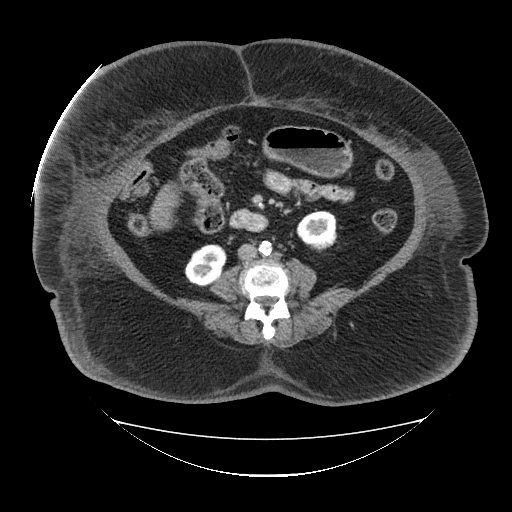
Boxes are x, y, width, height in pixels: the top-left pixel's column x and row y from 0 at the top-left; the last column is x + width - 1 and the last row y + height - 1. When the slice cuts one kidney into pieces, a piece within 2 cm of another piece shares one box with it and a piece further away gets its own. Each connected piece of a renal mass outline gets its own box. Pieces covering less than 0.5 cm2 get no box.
This is axial slice 48 of 85 (slice 1 is the lowest) of an arterial-phase abdominal CT with contrast; each pixel is 1.041 mm and the slice is 5.00 mm thick. Boxed on this slice (two kidney boxes), listed by box centre from the image's left to its right: (1) Right kidney, box x 184, y 244, width 43, height 43 (outlined area 1,337 px, about 14.5 cm2). (2) Box x 296, y 210, width 42, height 43: left kidney (outlined area 1,311 px, about 14.2 cm2). No renal mass outline on this slice.
Acquired at 120 kVp and reconstructed with the FC19 kernel.